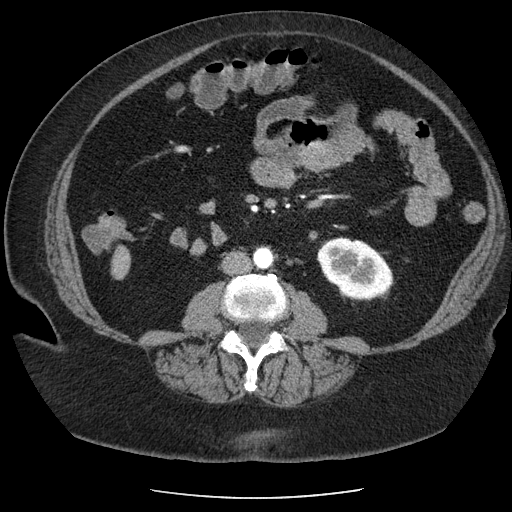
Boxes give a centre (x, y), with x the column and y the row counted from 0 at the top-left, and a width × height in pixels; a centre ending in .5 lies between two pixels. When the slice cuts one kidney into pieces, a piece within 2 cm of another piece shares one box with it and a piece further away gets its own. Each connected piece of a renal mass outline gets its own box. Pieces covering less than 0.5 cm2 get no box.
Arterial-phase contrast-enhanced abdominal CT, axial slice 104 of 186 (counted from the lowest slice); 2.50 mm thick, 0.742 mm per pixel. Left kidney in a box with centre (354.5, 268), 78 × 65 pixels (outlined area 3,558 px, about 19.6 cm2). This slice carries no renal mass outline.
Acquired at 120 kVp and reconstructed with the STANDARD kernel.